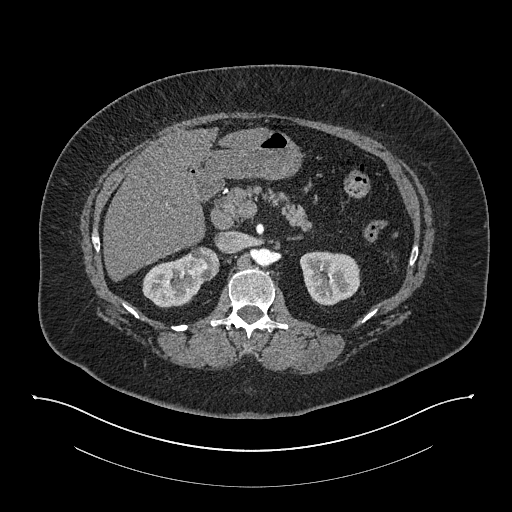
Abdominal CT with intravenous contrast, arterial phase, axial plane, 140 kVp, kernel I30f. Slice 520/673 from the bottom of the scan; thickness 1.00 mm; pixel size 0.957 mm.
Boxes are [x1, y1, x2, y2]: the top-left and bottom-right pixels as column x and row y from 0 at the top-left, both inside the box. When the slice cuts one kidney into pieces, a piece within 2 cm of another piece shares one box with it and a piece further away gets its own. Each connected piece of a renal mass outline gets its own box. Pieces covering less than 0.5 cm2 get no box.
Two kidney boxes and one renal mass box on this slice; by box centre, from the image's left to its right: (1) Right kidney, box [142, 253, 203, 307] (outlined area 2,132 px, about 19.5 cm2). (2) Right renal mass, box [187, 246, 219, 281] (outlined area 918 px, about 8.4 cm2). (3) Box [299, 251, 360, 305]: left kidney (outlined area 2,622 px, about 24.0 cm2).